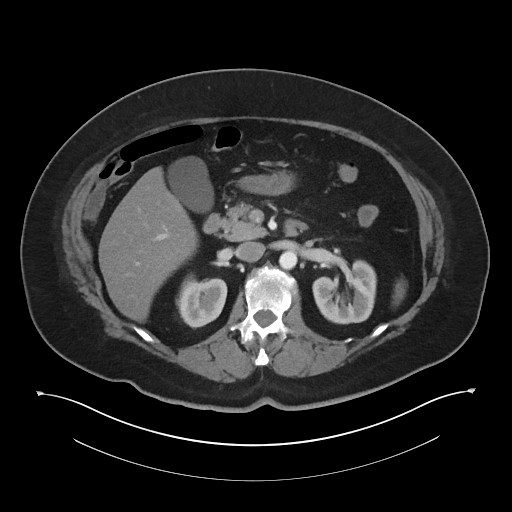
Abdominal CT with intravenous contrast, axial plane, 120 kVp, kernel I30f. Slice 27/60 from the bottom of the scan; thickness 5.00 mm; pixel size 0.971 mm.
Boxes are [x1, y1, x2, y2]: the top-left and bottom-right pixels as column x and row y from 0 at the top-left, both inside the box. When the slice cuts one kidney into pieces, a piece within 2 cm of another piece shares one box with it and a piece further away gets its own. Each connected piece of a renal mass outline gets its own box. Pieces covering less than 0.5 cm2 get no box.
Boxed on this slice (two kidney boxes), listed by box centre from the image's left to its right: (1) Right kidney, box [176, 274, 227, 328] (outlined area 2,061 px, about 19.4 cm2). (2) Left kidney, box [312, 259, 376, 324] (outlined area 3,033 px, about 28.6 cm2). This slice carries no renal mass outline.